Contrast-enhanced abdominal CT, axial slice 381 of 787 (counted from the lowest slice); tube voltage 140 kVp, convolution kernel I30f; slices 1.00 mm thick, 0.910 mm per pixel.
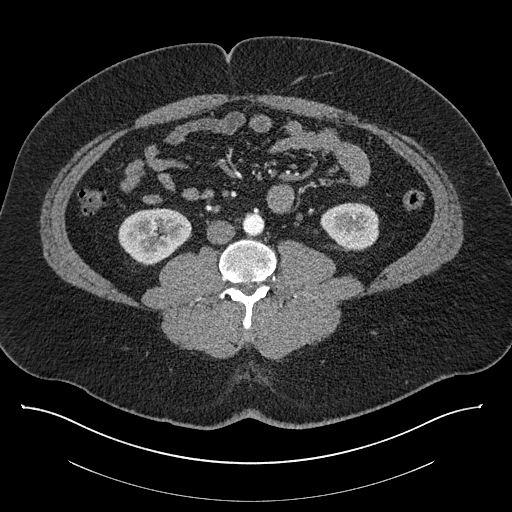
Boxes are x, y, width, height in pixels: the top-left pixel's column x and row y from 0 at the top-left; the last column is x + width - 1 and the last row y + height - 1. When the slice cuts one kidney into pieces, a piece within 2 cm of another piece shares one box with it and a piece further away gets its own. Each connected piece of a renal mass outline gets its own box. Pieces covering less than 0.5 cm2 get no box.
Two kidney boxes on this slice; by box centre, from the image's left to its right: (1) Right kidney, box x 118, y 208, width 74, height 58 (outlined area 3,137 px, about 26.0 cm2). (2) Box x 320, y 202, width 60, height 49: left kidney (outlined area 2,229 px, about 18.5 cm2). This slice carries no renal mass outline.